Abdominal CT with intravenous contrast, arterial phase, axial plane, 120 kVp, kernel I26f. Slice 186/548 from the bottom of the scan; thickness 1.00 mm; pixel size 0.852 mm.
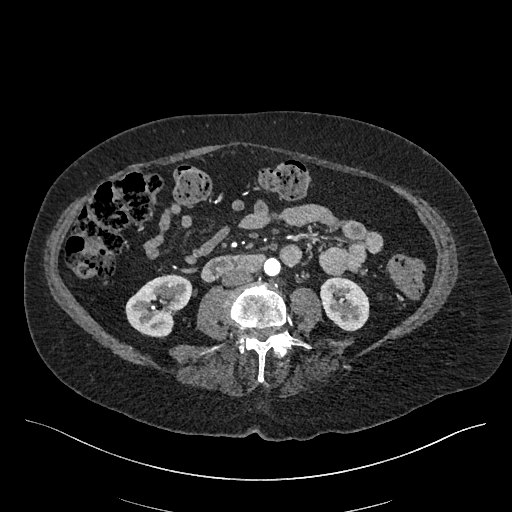
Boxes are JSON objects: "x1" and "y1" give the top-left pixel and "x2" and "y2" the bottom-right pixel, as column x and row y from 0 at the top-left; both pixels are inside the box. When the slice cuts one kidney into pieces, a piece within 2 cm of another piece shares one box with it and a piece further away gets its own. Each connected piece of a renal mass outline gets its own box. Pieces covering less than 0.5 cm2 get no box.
Boxed on this slice (two kidney boxes), listed by box centre from the image's left to its right: (1) Right kidney, box {"x1": 125, "y1": 274, "x2": 192, "y2": 337} (outlined area 2,916 px, about 21.1 cm2). (2) Left kidney, box {"x1": 320, "y1": 276, "x2": 369, "y2": 331} (outlined area 2,085 px, about 15.1 cm2). This slice carries no renal mass outline.